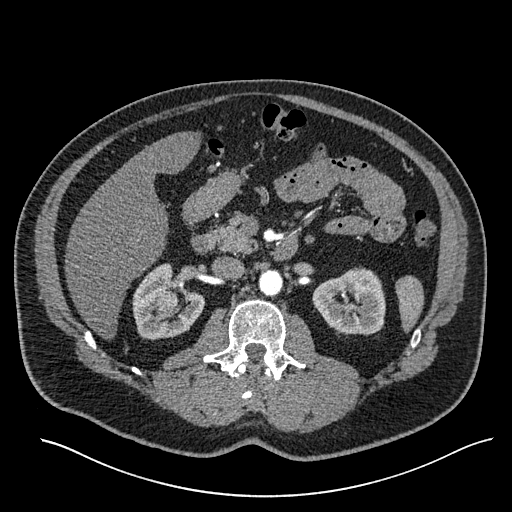
Axial slice 345 of 527 of a contrast-enhanced abdominal CT in the arterial phase (slice 1 is the lowest), 120 kVp, kernel I30f; 1.00 mm slice thickness and 0.859 mm pixels.
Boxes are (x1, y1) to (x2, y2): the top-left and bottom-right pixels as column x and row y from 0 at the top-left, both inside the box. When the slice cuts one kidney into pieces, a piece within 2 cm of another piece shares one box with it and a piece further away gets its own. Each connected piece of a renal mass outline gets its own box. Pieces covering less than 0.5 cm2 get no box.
Three boxes on this slice (two kidney boxes and one renal mass box), listed by box centre from the image's left to its right. (1) Right renal mass, box (156, 290) to (177, 312) (outlined area 412 px, about 3.0 cm2). (2) Right kidney from (132, 263) to (205, 340) (outlined area 3,430 px, about 25.3 cm2). (3) Left kidney from (312, 267) to (385, 335) (outlined area 3,784 px, about 27.9 cm2).